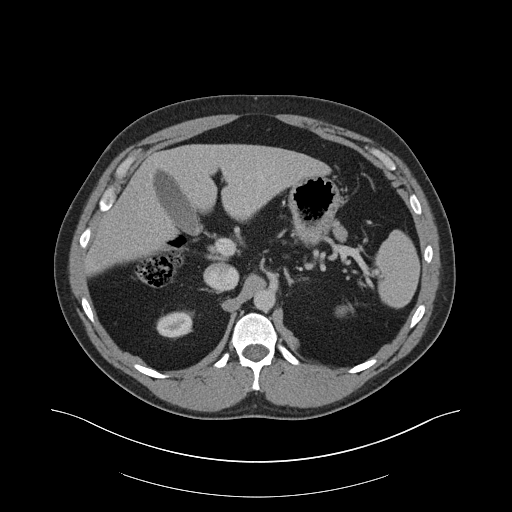
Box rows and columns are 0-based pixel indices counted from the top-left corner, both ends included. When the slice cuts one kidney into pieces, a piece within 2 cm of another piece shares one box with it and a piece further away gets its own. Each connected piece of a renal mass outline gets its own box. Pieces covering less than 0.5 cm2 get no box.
Slice 127/159 of a contrast-enhanced abdominal CT in the arterial phase, counting up from the lowest; pixel size 0.977 mm, slice thickness 3.00 mm. Right kidney at rows 311–338, columns 156–193 (outlined area 816 px, about 7.8 cm2). No renal mass outline on this slice.
Scan settings: 140 kVp, B30f reconstruction kernel.